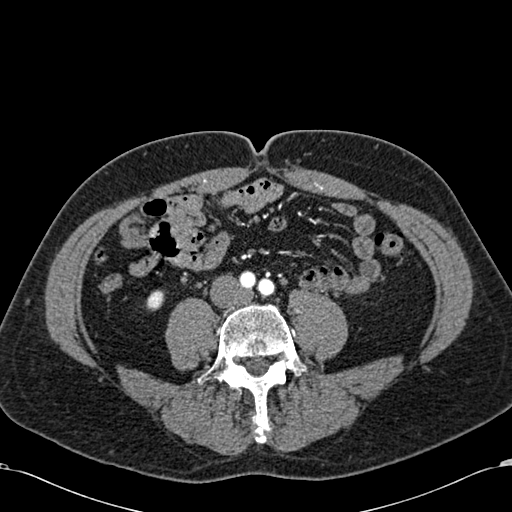
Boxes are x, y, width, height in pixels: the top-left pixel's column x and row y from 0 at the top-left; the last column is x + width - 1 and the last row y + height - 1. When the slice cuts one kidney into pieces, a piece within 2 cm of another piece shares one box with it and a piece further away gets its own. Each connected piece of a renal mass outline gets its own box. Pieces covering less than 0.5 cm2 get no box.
Arterial-phase contrast-enhanced abdominal CT, axial slice 196 of 581 (counted from the lowest slice); 1.00 mm thick, 0.713 mm per pixel. Box x 146, y 290, width 16, height 20: right kidney (outlined area 225 px, about 1.1 cm2). This slice carries no renal mass outline.
Tube voltage 120 kVp; convolution kernel B30f.